One axial slice (287 of 673, counting up from the lowest) of an arterial-phase abdominal CT acquired with 120 kVp, kernel I30f; each pixel is 0.855 mm and the slice is 1.00 mm thick.
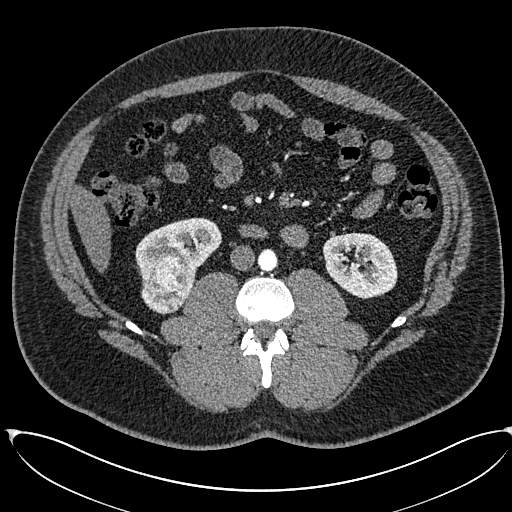
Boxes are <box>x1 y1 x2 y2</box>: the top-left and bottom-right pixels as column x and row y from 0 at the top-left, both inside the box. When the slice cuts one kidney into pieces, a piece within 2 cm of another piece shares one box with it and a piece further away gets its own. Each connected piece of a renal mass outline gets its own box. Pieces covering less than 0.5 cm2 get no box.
Boxed on this slice (two kidney boxes and one renal mass box), listed by box centre from the image's left to its right: (1) At <box>141 256 195 314</box>: right renal mass (outlined area 2,348 px, about 17.2 cm2). (2) Right kidney: <box>135 217 221 281</box> (outlined area 3,200 px, about 23.4 cm2). (3) Left kidney at <box>322 232 397 298</box> (outlined area 3,784 px, about 27.7 cm2).